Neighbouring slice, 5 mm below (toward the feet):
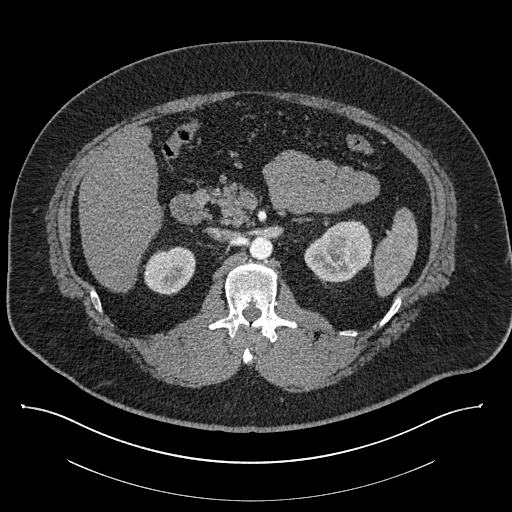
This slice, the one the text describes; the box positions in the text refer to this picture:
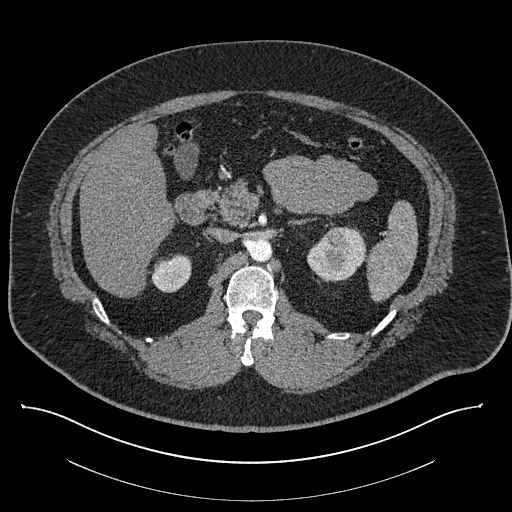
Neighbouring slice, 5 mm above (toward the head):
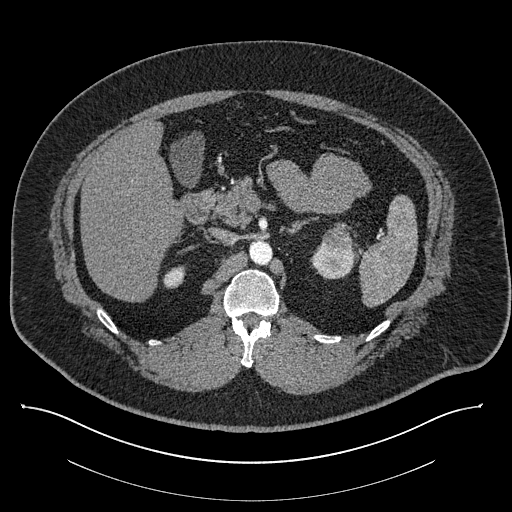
Abdominal CT with intravenous contrast, axial plane, 140 kVp, kernel I30f. Slice 540/787 from the bottom of the scan; thickness 1.00 mm; pixel size 0.910 mm.
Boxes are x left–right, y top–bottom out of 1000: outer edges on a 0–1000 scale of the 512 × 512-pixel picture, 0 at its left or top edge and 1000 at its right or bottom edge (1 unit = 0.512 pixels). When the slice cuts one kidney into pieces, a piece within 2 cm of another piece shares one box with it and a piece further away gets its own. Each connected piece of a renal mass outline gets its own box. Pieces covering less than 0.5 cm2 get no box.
Boxed on this slice (two kidney boxes and one renal mass box), listed by box centre from the image's left to its right: (1) Box x 295–375, y 494–572 out of 1000: right kidney (outlined area 1,224 px, about 10.1 cm2). (2) Box x 645–666, y 455–475 out of 1000: left renal mass (outlined area 93 px, about 0.8 cm2). (3) Left kidney at x 600–717, y 441–553 out of 1000 (outlined area 2,388 px, about 19.8 cm2). This slice lies near the end of the left renal mass toward the feet; the slices 5 mm below and 5 mm above it are shown too, and the boxes mark positions on this slice only.